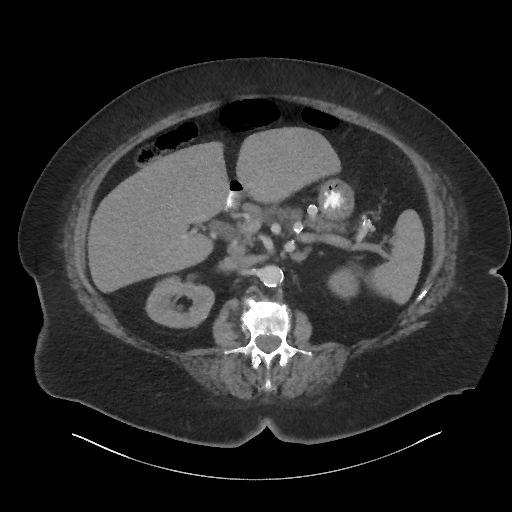
One axial slice (43 of 86, counting up from the lowest) of a contrast-enhanced abdominal CT acquired with 140 kVp, kernel I44f; each pixel is 0.977 mm and the slice is 3.00 mm thick.
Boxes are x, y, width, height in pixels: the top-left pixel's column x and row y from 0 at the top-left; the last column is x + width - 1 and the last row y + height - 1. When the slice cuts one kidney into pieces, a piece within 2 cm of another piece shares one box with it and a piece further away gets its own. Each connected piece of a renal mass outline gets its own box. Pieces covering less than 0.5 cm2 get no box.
Two boxes on this slice (two kidney boxes), listed by box centre from the image's left to its right. (1) Box x 145, y 274, width 70, height 54: right kidney (outlined area 2,681 px, about 25.6 cm2). (2) Left kidney at x 328, y 268, width 32, height 32 (outlined area 705 px, about 6.7 cm2). This slice carries no renal mass outline.